One axial slice (7 of 53, counting up from the lowest) of an arterial-phase abdominal CT acquired with 120 kVp, kernel B30f; each pixel is 0.547 mm and the slice is 3.00 mm thick.
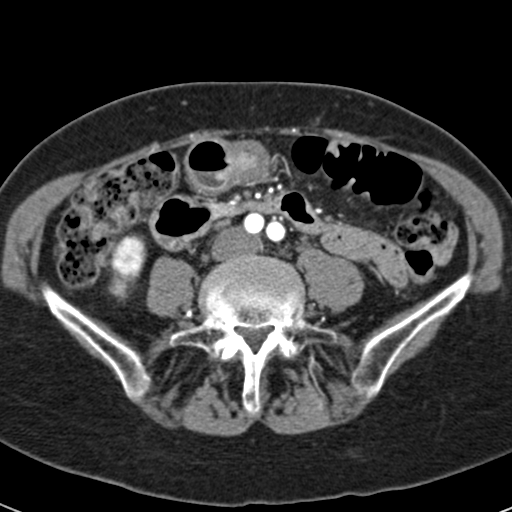
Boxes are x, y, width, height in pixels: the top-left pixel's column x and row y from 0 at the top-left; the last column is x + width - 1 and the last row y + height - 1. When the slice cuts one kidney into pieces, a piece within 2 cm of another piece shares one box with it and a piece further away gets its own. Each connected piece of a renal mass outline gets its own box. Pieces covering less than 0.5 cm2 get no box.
Right kidney, box x 107, y 233, width 40, height 67 (outlined area 1,832 px, about 5.5 cm2). No renal mass is outlined on this slice.